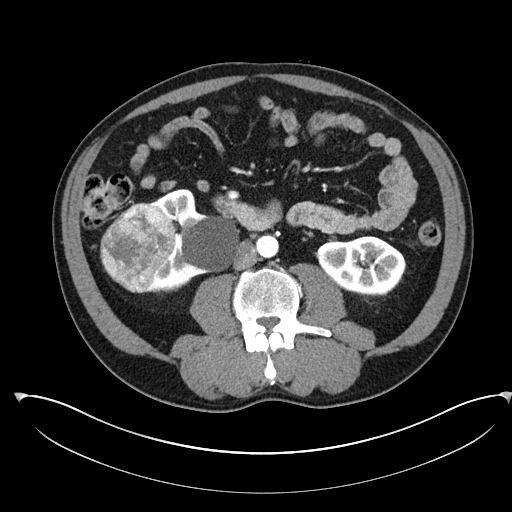
One axial slice (121 of 302, counting up from the lowest) of an arterial-phase abdominal CT acquired with 100 kVp, kernel I30f; each pixel is 0.875 mm and the slice is 5.00 mm thick.
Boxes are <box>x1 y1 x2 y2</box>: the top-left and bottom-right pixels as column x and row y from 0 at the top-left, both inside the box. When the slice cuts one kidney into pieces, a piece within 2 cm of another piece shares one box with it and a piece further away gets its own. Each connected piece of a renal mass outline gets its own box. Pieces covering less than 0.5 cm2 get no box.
Two kidney boxes and one renal mass box on this slice; by box centre, from the image's left to its right: (1) Right renal mass at <box>100 202 175 293</box> (outlined area 4,834 px, about 37.0 cm2). (2) Right kidney at <box>145 188 239 293</box> (outlined area 5,293 px, about 40.5 cm2). (3) Left kidney: <box>315 236 405 295</box> (outlined area 4,027 px, about 30.8 cm2).